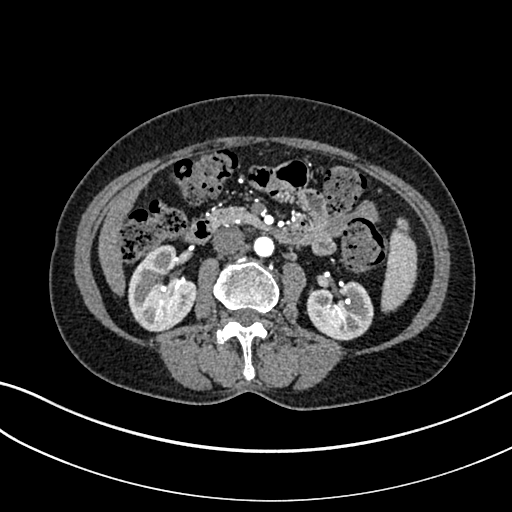
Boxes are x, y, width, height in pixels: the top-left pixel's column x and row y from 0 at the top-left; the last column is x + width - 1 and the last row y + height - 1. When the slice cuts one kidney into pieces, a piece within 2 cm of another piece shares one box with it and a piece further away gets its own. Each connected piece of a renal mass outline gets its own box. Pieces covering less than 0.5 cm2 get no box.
Arterial-phase contrast-enhanced abdominal CT, axial slice 143 of 325 (counted from the lowest slice); 1.00 mm thick, 0.703 mm per pixel. Boxed on this slice (two kidney boxes), listed by box centre from the image's left to its right: (1) Box x 128, y 244, width 70, height 89: right kidney (outlined area 4,276 px, about 21.1 cm2). (2) Left kidney at x 306, y 281, width 68, height 60 (outlined area 3,118 px, about 15.4 cm2). No renal mass is outlined on this slice.
Scan settings: 100 kVp, I30f reconstruction kernel.